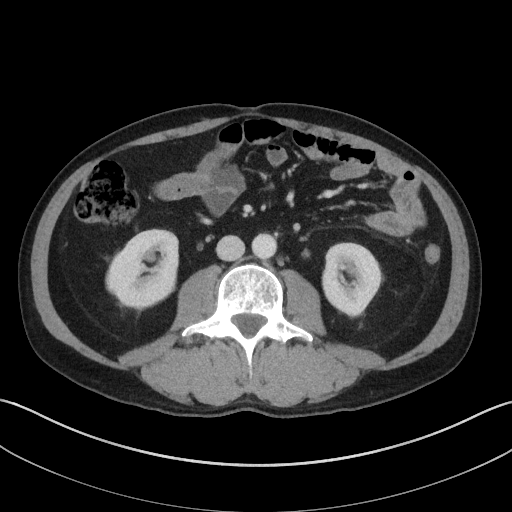
Contrast-enhanced abdominal CT, axial slice 54 of 143 (counted from the lowest slice); tube voltage 100 kVp, convolution kernel I41f; slices 5.00 mm thick, 0.734 mm per pixel.
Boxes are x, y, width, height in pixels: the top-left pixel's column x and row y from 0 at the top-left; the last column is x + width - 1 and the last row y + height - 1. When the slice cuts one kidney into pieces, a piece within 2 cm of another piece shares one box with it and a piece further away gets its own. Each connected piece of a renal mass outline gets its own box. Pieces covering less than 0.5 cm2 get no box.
Two kidney boxes on this slice; by box centre, from the image's left to its right: (1) Right kidney at x 105, y 228, width 74, height 82 (outlined area 4,579 px, about 24.7 cm2). (2) Box x 321, y 242, width 64, height 76: left kidney (outlined area 3,524 px, about 19.0 cm2). No renal mass outline on this slice.